One axial slice (507 of 735, counting up from the lowest) of an arterial-phase abdominal CT acquired with 120 kVp, kernel I30f; each pixel is 0.789 mm and the slice is 1.00 mm thick.
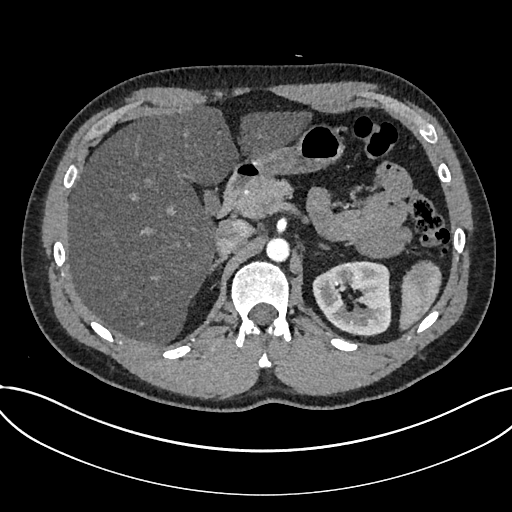
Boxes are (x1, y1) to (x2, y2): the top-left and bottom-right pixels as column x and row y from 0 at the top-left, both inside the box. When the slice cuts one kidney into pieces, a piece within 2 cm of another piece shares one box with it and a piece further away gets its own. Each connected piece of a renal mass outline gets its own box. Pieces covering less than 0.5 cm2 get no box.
Box (312, 261) to (391, 336): kidney (outlined area 4,625 px, about 28.8 cm2). No renal mass outline on this slice.